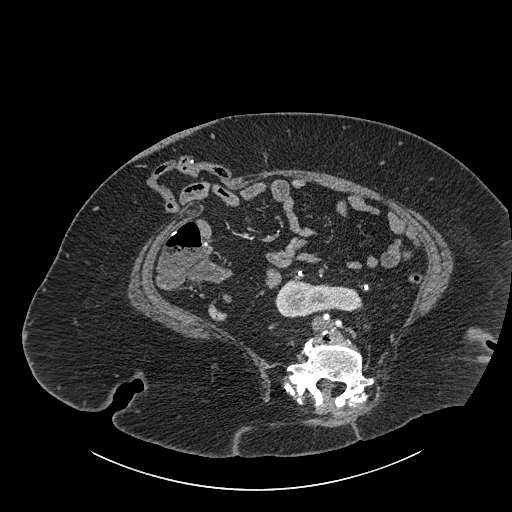
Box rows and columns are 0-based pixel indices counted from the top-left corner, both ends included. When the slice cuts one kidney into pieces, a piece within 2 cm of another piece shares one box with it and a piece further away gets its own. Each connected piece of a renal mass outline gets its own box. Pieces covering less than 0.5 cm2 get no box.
This is axial slice 411 of 834 (slice 1 is the lowest) of an abdominal CT with contrast; each pixel is 0.977 mm and the slice is 1.00 mm thick. Box rows 280–317, columns 275–362: kidney crossing the body midline (outlined area 2,409 px, about 23.0 cm2). No renal mass is outlined on this slice.
Scan settings: 140 kVp, I30f reconstruction kernel.